Abdominal CT with intravenous contrast, arterial phase, axial plane, 120 kVp, kernel B30f. Slice 260/538 from the bottom of the scan; thickness 1.00 mm; pixel size 0.811 mm.
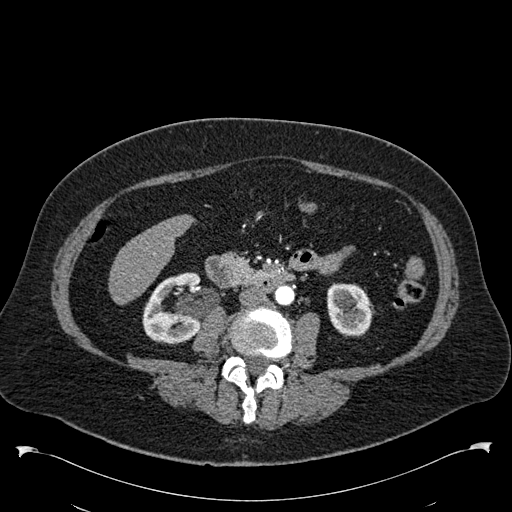
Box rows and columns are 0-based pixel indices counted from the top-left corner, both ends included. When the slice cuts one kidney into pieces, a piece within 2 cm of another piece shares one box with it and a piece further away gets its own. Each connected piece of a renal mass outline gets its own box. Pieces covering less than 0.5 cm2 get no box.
Two kidney boxes on this slice; by box centre, from the image's left to its right: (1) Right kidney, box rows 272–344, columns 142–200 (outlined area 3,204 px, about 21.0 cm2). (2) Box rows 283–336, columns 326–374: left kidney (outlined area 2,047 px, about 13.4 cm2). This slice carries no renal mass outline.